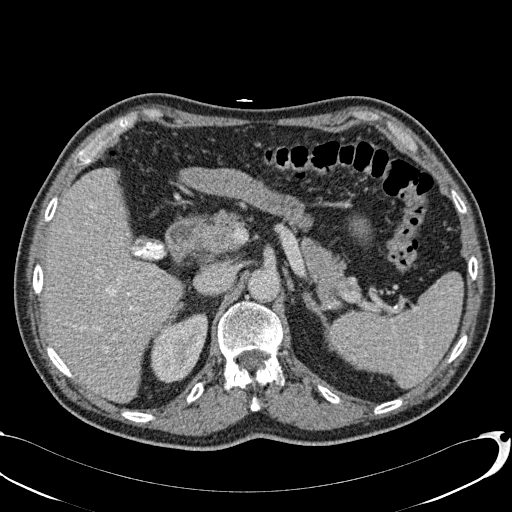
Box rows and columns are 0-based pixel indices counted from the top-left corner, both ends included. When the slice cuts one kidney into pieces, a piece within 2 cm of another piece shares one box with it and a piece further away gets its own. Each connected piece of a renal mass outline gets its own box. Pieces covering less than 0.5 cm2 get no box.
Slice 64/113 of a contrast-enhanced abdominal CT, counting up from the lowest; pixel size 0.742 mm, slice thickness 2.00 mm. Box rows 313–383, columns 150–207: right kidney (outlined area 2,877 px, about 15.8 cm2). No renal mass outline on this slice.
Tube voltage 120 kVp; convolution kernel B31f.